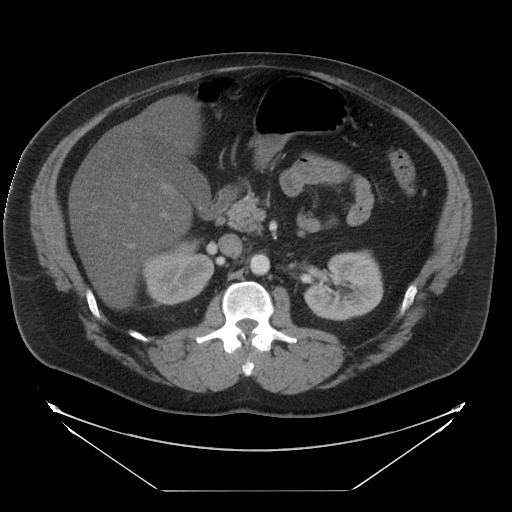
Contrast-enhanced abdominal CT, axial slice 19 of 29 (counted from the lowest slice); tube voltage 120 kVp, convolution kernel STANDARD; slices 5.00 mm thick, 0.977 mm per pixel.
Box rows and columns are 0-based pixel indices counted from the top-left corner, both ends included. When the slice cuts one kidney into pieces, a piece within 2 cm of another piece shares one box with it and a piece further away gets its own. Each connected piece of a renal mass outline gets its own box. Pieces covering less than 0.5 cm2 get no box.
Two boxes on this slice (two kidney boxes), listed by box centre from the image's left to its right. (1) Right kidney at rows 239–305, columns 142–214 (outlined area 3,442 px, about 32.8 cm2). (2) Left kidney, box rows 250–320, columns 303–383 (outlined area 4,222 px, about 40.3 cm2). No renal mass outline on this slice.